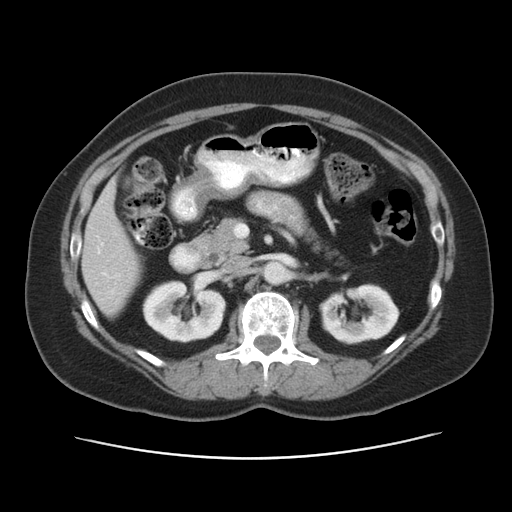
Axial slice 30 of 53 of a contrast-enhanced abdominal CT in the arterial phase (slice 1 is the lowest), 120 kVp, kernel STANDARD; 5.00 mm slice thickness and 0.703 mm pixels.
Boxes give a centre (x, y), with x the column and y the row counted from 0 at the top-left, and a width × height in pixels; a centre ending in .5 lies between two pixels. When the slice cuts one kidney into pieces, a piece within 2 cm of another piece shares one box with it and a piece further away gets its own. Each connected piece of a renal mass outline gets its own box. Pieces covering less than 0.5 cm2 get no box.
Two kidney boxes on this slice; by box centre, from the image's left to its right: (1) Box centre (184, 310.5), 85 × 64 pixels: right kidney (outlined area 4,104 px, about 20.3 cm2). (2) Box centre (359, 313.5), 81 × 62 pixels: left kidney (outlined area 3,612 px, about 17.9 cm2). No renal mass is outlined on this slice.